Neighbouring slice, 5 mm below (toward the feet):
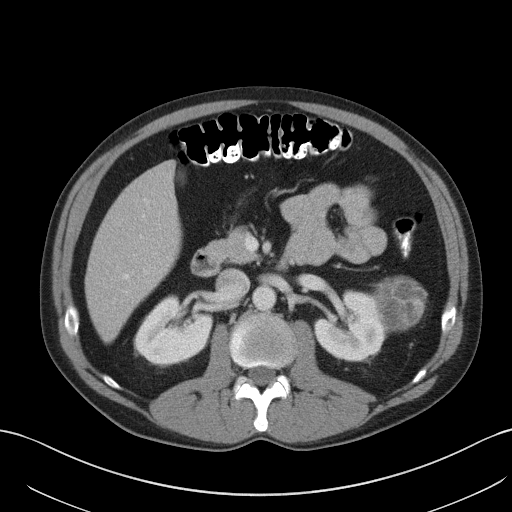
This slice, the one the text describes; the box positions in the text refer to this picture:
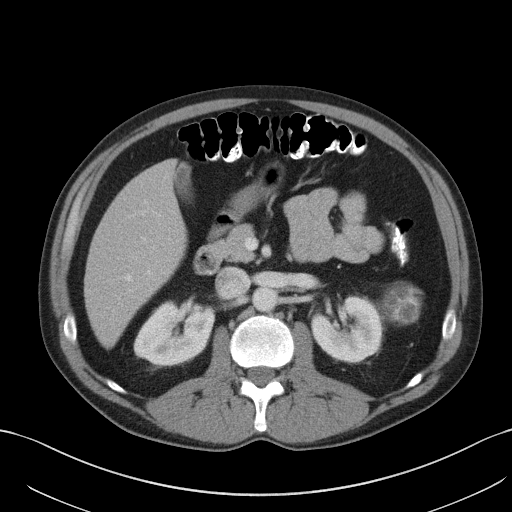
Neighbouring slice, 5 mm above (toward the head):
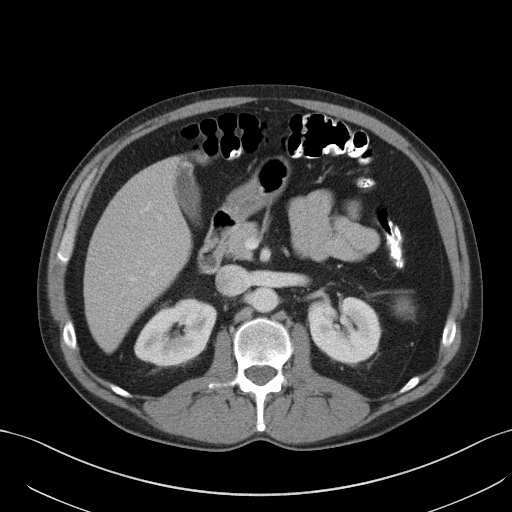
Abdominal CT with intravenous contrast, arterial phase, axial plane, 120 kVp, kernel B41f. Slice 61/131 from the bottom of the scan; thickness 5.00 mm; pixel size 0.760 mm.
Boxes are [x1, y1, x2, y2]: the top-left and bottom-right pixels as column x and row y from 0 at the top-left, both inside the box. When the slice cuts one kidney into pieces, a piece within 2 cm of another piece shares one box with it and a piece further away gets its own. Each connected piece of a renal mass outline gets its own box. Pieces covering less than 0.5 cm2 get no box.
Three boxes on this slice (two kidney boxes and one renal mass box), listed by box centre from the image's left to its right. (1) Box [134, 301, 214, 365]: right kidney (outlined area 3,915 px, about 22.6 cm2). (2) Left kidney at [311, 295, 382, 362] (outlined area 3,501 px, about 20.2 cm2). (3) Left renal mass at [381, 286, 419, 323] (outlined area 1,143 px, about 6.6 cm2). This slice lies near the end of the left renal mass toward the head; the slices 5 mm below and 5 mm above it are shown too, and the boxes mark positions on this slice only.